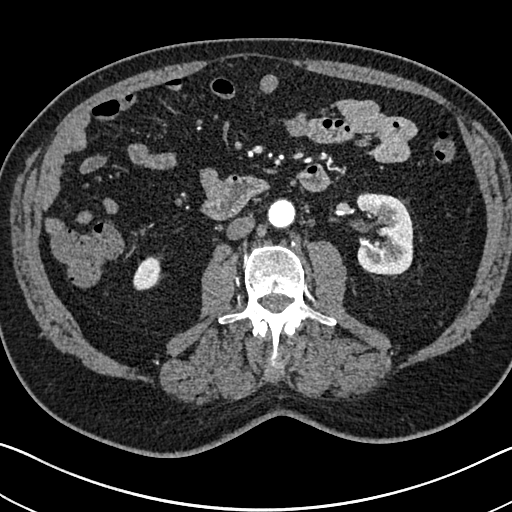
Axial slice 355 of 705 of a contrast-enhanced abdominal CT in the arterial phase (slice 1 is the lowest), 120 kVp, kernel I30f; 1.00 mm slice thickness and 0.703 mm pixels.
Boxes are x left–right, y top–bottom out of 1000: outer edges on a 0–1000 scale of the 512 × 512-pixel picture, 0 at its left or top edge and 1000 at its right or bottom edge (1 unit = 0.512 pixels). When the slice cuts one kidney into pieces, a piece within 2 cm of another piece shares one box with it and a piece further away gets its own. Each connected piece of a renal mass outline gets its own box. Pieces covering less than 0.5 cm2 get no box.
Boxed on this slice (two kidney boxes), listed by box centre from the image's left to its right: (1) Right kidney, box x 260–314, y 500–568 out of 1000 (outlined area 710 px, about 3.5 cm2). (2) Left kidney at x 695–809, y 375–541 out of 1000 (outlined area 3,929 px, about 19.4 cm2). This slice carries no renal mass outline.